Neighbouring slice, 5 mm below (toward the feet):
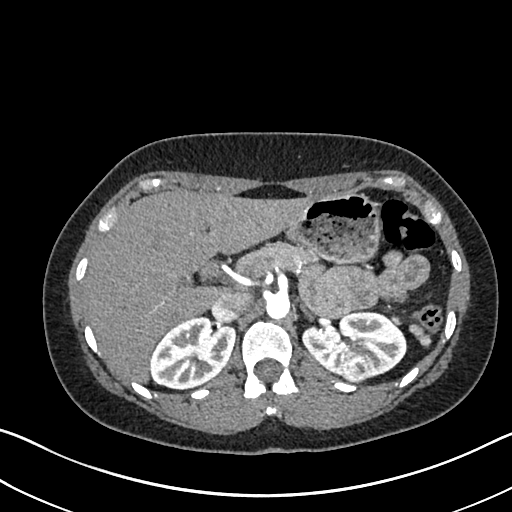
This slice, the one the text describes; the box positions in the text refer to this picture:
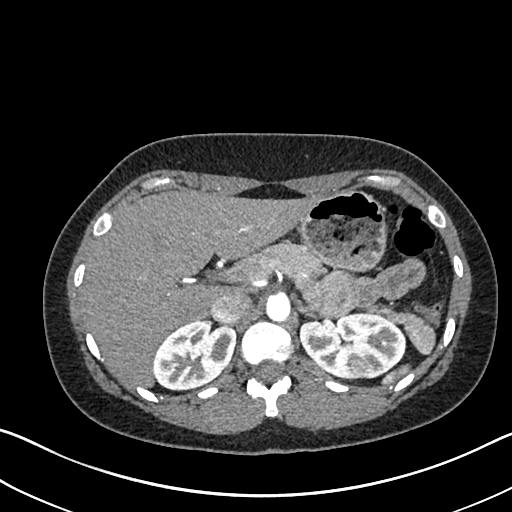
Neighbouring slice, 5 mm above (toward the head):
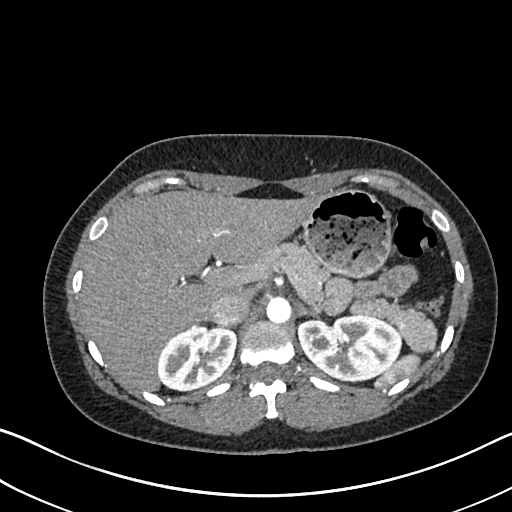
Axial slice 489 of 612 of a contrast-enhanced abdominal CT in the arterial phase (slice 1 is the lowest), 120 kVp, kernel I30f; 1.00 mm slice thickness and 0.703 mm pixels.
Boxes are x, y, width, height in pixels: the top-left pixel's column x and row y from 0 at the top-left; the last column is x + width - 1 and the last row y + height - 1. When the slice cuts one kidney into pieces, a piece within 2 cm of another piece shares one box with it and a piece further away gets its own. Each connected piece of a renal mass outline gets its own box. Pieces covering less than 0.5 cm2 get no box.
Boxed on this slice (two kidney boxes and one renal mass box), listed by box centre from the image's left to its right: (1) Right kidney at x 152, y 319, width 84, height 71 (outlined area 4,343 px, about 21.5 cm2). (2) Left kidney, box x 299, y 311, width 108, height 70 (outlined area 5,526 px, about 27.3 cm2). (3) Box x 351, y 361, width 13, height 14: left renal mass (outlined area 136 px, about 0.7 cm2). This slice is near the end of the left renal mass toward the head, so the slices 5 mm below and 5 mm above it are shown as well; the boxes refer to this slice only.